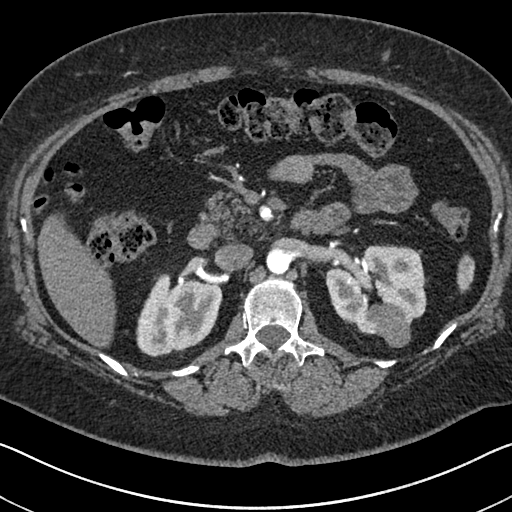
Axial slice 428 of 591 of a contrast-enhanced abdominal CT in the arterial phase (slice 1 is the lowest), 140 kVp, kernel I30f; 1.00 mm slice thickness and 0.703 mm pixels.
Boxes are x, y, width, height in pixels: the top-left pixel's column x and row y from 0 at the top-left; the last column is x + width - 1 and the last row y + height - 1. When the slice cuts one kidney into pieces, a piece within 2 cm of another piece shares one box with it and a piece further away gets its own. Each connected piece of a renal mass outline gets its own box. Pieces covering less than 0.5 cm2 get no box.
Two kidney boxes and one renal mass box on this slice; by box centre, from the image's left to its right: (1) Right kidney at x 136, y 273, width 87, height 84 (outlined area 5,273 px, about 26.1 cm2). (2) Left kidney at x 326, y 244, width 102, height 91 (outlined area 5,940 px, about 29.4 cm2). (3) Left renal mass at x 366, y 303, width 45, height 45 (outlined area 1,403 px, about 6.9 cm2).